Abdominal CT with intravenous contrast, arterial phase, axial plane, 120 kVp, kernel I26f. Slice 74/470 from the bottom of the scan; thickness 1.00 mm; pixel size 0.938 mm.
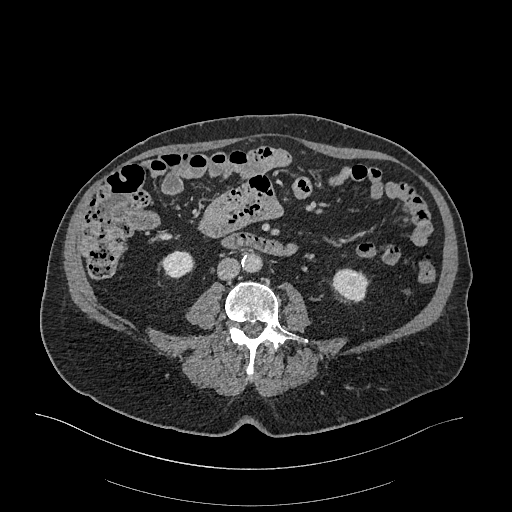
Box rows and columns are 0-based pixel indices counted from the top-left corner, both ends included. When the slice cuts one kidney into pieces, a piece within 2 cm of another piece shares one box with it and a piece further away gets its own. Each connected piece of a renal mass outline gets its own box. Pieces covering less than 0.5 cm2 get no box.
Two boxes on this slice (two kidney boxes), listed by box centre from the image's left to its right. (1) Box rows 250–278, columns 161–194: right kidney (outlined area 716 px, about 6.3 cm2). (2) Left kidney at rows 268–301, columns 332–368 (outlined area 921 px, about 8.1 cm2). No renal mass is outlined on this slice.